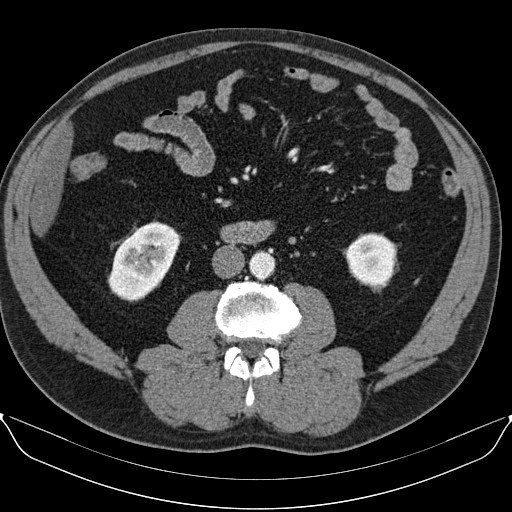
One axial slice (33 of 96, counting up from the lowest) of an arterial-phase abdominal CT acquired with 130 kVp, kernel B30s; each pixel is 0.781 mm and the slice is 3.00 mm thick.
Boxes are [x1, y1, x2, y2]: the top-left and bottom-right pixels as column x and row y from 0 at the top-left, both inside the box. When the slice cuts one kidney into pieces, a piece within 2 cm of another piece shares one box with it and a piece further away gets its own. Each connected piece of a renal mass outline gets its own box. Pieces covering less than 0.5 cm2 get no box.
Two kidney boxes on this slice; by box centre, from the image's left to its right: (1) Box [107, 221, 181, 302]: right kidney (outlined area 3,985 px, about 24.3 cm2). (2) Left kidney at [345, 232, 397, 287] (outlined area 2,233 px, about 13.6 cm2). No renal mass is outlined on this slice.